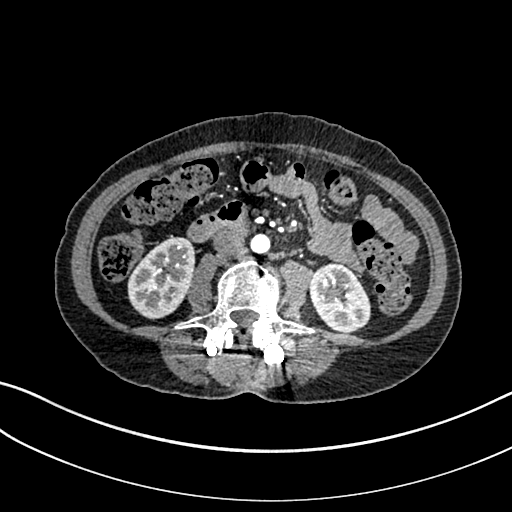
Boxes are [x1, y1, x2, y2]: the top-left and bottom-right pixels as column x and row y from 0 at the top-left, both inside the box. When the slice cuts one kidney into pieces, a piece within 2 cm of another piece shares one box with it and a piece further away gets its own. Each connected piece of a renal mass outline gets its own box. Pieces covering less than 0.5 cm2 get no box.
This is axial slice 103 of 325 (slice 1 is the lowest) of an arterial-phase abdominal CT with contrast; each pixel is 0.703 mm and the slice is 1.00 mm thick. Two boxes on this slice (two kidney boxes), listed by box centre from the image's left to its right. (1) Box [127, 237, 195, 319]: right kidney (outlined area 4,048 px, about 20.0 cm2). (2) Left kidney at [309, 263, 371, 332] (outlined area 3,270 px, about 16.2 cm2). No renal mass is outlined on this slice.
Scan settings: 100 kVp, I30f reconstruction kernel.